Axial slice 257 of 433 of a contrast-enhanced abdominal CT (slice 1 is the lowest), 120 kVp, kernel B30f; 1.00 mm slice thickness and 0.672 mm pixels.
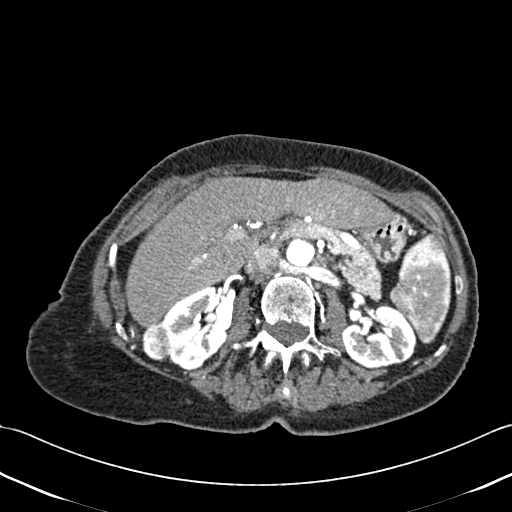
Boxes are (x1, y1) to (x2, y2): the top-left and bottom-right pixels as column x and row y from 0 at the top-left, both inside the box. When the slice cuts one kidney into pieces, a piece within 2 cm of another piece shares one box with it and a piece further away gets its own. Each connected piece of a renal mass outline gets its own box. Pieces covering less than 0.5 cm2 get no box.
Three boxes on this slice (two kidney boxes and one renal mass box), listed by box centre from the image's left to its right. (1) Right renal mass, box (142, 321) to (170, 361) (outlined area 897 px, about 4.0 cm2). (2) Right kidney from (158, 286) to (227, 370) (outlined area 3,879 px, about 17.5 cm2). (3) Left kidney from (341, 304) to (416, 369) (outlined area 3,589 px, about 16.2 cm2).